Abdominal CT with intravenous contrast, axial plane, 140 kVp, kernel I30f. Slice 508/834 from the bottom of the scan; thickness 1.00 mm; pixel size 0.977 mm.
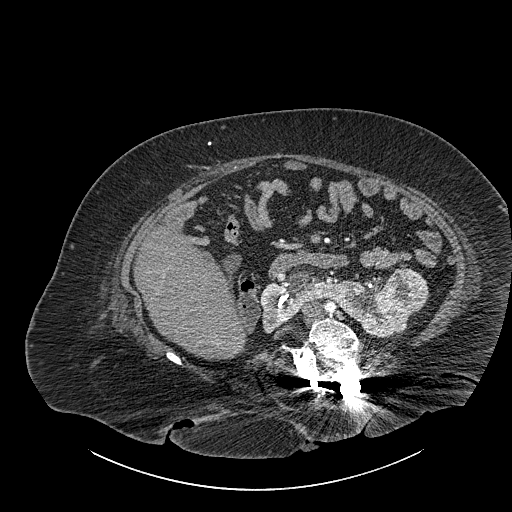
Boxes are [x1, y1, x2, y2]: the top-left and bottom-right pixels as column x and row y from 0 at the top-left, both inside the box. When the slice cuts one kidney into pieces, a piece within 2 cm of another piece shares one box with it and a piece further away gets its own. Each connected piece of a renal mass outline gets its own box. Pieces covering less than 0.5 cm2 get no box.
One kidney box and one renal mass box on this slice; by box centre, from the image's left to its right: (1) Box [259, 266, 411, 338]: kidney crossing the body midline (outlined area 5,453 px, about 52.0 cm2). (2) Renal mass, box [385, 269, 430, 314] (outlined area 1,651 px, about 15.7 cm2).